One axial slice (494 of 719, counting up from the lowest) of an arterial-phase abdominal CT acquired with 120 kVp, kernel B20f; each pixel is 0.766 mm and the slice is 1.00 mm thick.
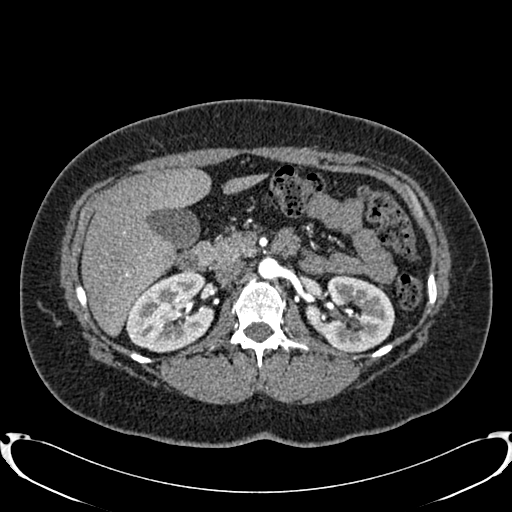
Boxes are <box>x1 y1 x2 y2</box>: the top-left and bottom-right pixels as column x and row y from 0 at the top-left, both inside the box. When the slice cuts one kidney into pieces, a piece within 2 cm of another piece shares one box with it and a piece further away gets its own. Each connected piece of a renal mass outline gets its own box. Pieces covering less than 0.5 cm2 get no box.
Two boxes on this slice (two kidney boxes), listed by box centre from the image's left to its right. (1) Right kidney at <box>126 270 213 352</box> (outlined area 5,227 px, about 30.6 cm2). (2) Left kidney at <box>319 275 394 352</box> (outlined area 4,475 px, about 26.2 cm2). No renal mass outline on this slice.